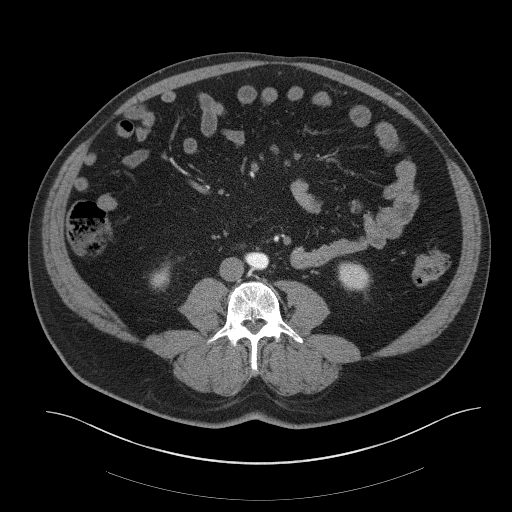
Contrast-enhanced abdominal CT, axial slice 7 of 61 (counted from the lowest slice); tube voltage 140 kVp, convolution kernel B41f; slices 3.00 mm thick, 0.939 mm per pixel.
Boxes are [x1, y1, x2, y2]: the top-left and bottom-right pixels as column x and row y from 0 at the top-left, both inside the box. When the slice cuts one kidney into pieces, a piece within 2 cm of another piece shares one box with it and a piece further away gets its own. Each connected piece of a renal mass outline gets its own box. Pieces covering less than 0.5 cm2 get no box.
Boxed on this slice (two kidney boxes), listed by box centre from the image's left to its right: (1) Right kidney at [150, 262, 170, 289] (outlined area 386 px, about 3.4 cm2). (2) Left kidney, box [337, 261, 371, 291] (outlined area 818 px, about 7.2 cm2). No renal mass outline on this slice.